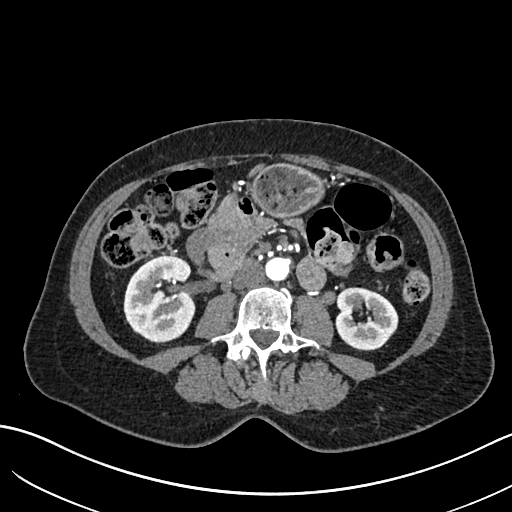
Axial slice 319 of 683 of a contrast-enhanced abdominal CT in the arterial phase (slice 1 is the lowest), 120 kVp, kernel I30f; 1.00 mm slice thickness and 0.738 mm pixels.
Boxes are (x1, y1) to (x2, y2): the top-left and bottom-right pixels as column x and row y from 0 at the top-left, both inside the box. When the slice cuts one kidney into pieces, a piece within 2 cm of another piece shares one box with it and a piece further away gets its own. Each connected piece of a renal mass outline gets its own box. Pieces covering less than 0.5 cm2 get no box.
Two kidney boxes on this slice; by box centre, from the image's left to its right: (1) Right kidney from (123, 255) to (195, 343) (outlined area 4,979 px, about 27.1 cm2). (2) Left kidney, box (335, 287) to (398, 350) (outlined area 3,062 px, about 16.7 cm2). No renal mass outline on this slice.